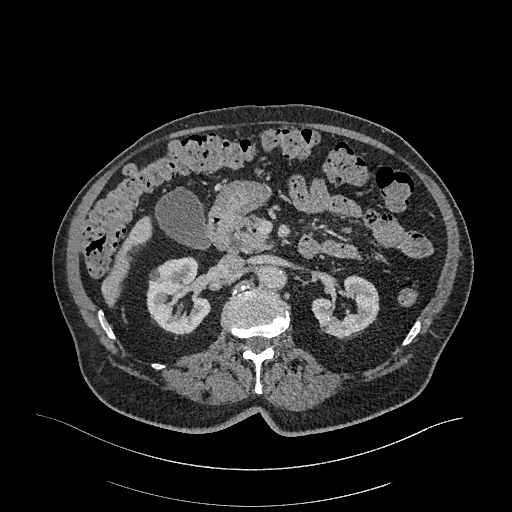
Axial slice 188 of 470 of a contrast-enhanced abdominal CT in the arterial phase (slice 1 is the lowest), 120 kVp, kernel I26f; 1.00 mm slice thickness and 0.938 mm pixels.
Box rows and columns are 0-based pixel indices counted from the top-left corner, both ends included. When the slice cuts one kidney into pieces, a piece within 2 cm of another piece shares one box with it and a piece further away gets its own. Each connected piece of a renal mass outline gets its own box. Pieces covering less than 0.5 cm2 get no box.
Boxed on this slice (two kidney boxes), listed by box centre from the image's left to its right: (1) Right kidney at rows 256–335, columns 146–211 (outlined area 3,689 px, about 32.4 cm2). (2) Left kidney, box rows 275–337, columns 311–379 (outlined area 2,657 px, about 23.4 cm2). No renal mass outline on this slice.